Arterial-phase contrast-enhanced abdominal CT, axial slice 281 of 705 (counted from the lowest slice); tube voltage 120 kVp, convolution kernel I30f; slices 1.00 mm thick, 0.703 mm per pixel.
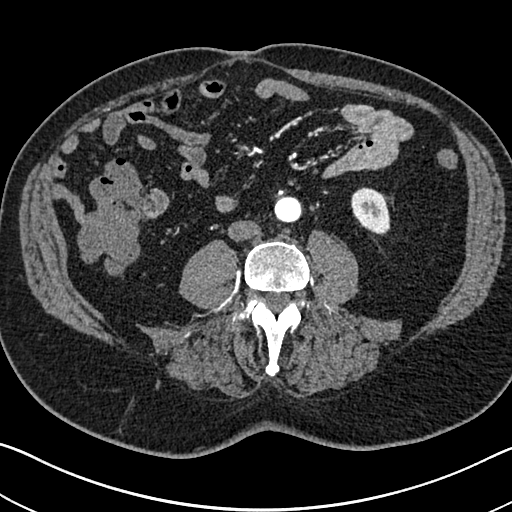
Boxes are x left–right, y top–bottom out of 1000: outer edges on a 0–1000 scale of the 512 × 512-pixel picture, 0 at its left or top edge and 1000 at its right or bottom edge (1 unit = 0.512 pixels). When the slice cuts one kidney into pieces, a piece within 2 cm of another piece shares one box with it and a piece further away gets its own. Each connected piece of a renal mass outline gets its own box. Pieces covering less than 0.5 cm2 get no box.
Box x 686–764, y 365–459 out of 1000: left kidney (outlined area 1,417 px, about 7.0 cm2). No renal mass outline on this slice.